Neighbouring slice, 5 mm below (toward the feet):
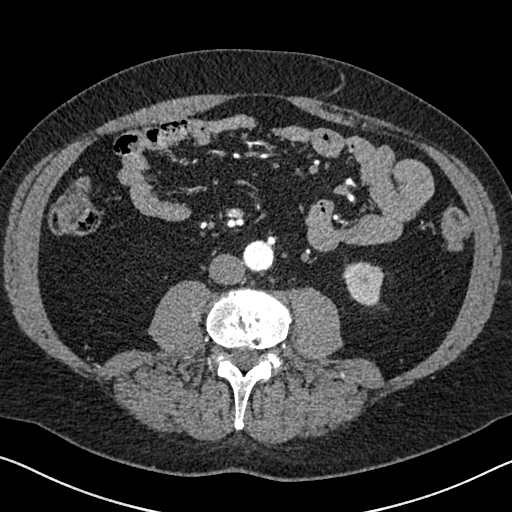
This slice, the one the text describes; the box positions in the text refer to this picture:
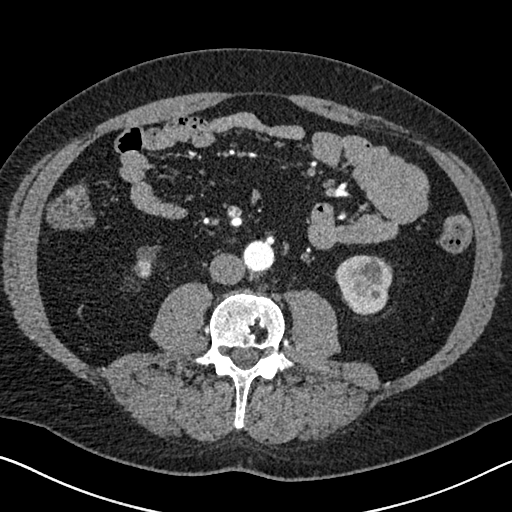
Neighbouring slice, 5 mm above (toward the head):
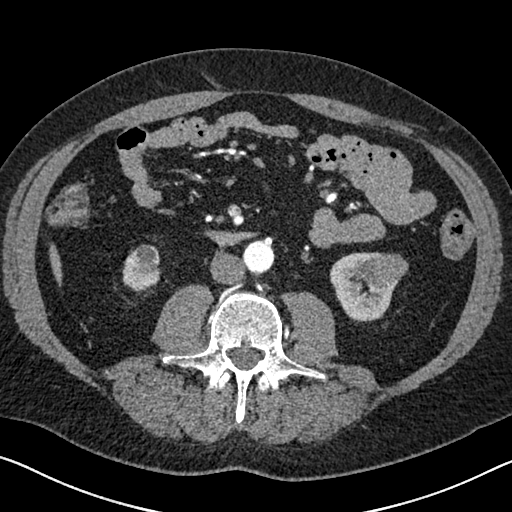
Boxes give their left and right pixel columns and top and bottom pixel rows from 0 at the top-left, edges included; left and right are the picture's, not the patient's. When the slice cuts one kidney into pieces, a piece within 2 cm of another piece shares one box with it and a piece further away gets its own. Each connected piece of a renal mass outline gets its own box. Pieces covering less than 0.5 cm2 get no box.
Slice 297/626 of a contrast-enhanced abdominal CT in the arterial phase, counting up from the lowest; pixel size 0.703 mm, slice thickness 1.00 mm. Two kidney boxes and one renal mass box on this slice; by box centre, from the image's left to its right: (1) Right kidney in the box with left 133, top 246, right 158, bottom 277 (outlined area 528 px, about 2.6 cm2). (2) Box with left 334, top 255, right 392, bottom 313: left kidney (outlined area 2,263 px, about 11.2 cm2). (3) Box with left 359, top 258, right 382, bottom 282: left renal mass (outlined area 417 px, about 2.1 cm2). This slice is near the end of the left renal mass toward the feet, so the slices 5 mm below and 5 mm above it are shown as well; the boxes refer to this slice only.
Scan settings: 120 kVp, I30f reconstruction kernel.